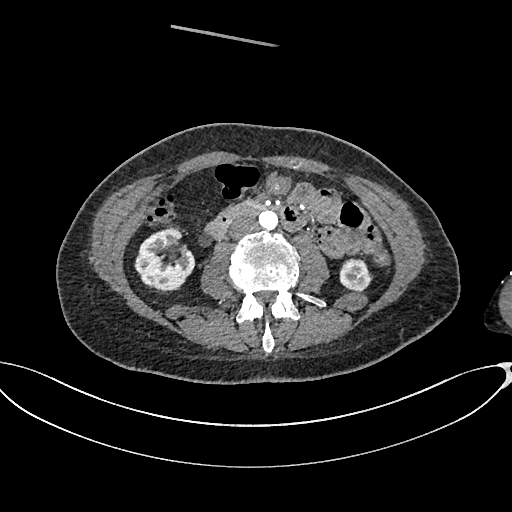
Arterial-phase contrast-enhanced abdominal CT, axial slice 322 of 665 (counted from the lowest slice); tube voltage 100 kVp, convolution kernel I26f; slices 1.00 mm thick, 0.828 mm per pixel.
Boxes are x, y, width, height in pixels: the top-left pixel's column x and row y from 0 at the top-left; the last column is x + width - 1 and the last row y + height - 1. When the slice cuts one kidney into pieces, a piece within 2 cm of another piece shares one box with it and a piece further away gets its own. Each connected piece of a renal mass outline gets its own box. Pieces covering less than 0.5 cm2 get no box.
Two boxes on this slice (two kidney boxes), listed by box centre from the image's left to its right. (1) Box x 134, y 228, width 62, height 67: right kidney (outlined area 2,858 px, about 19.6 cm2). (2) Left kidney at x 339, y 258, width 34, height 34 (outlined area 855 px, about 5.9 cm2). No renal mass outline on this slice.